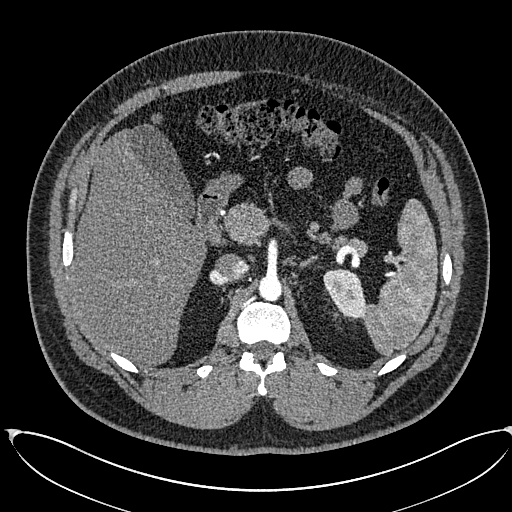
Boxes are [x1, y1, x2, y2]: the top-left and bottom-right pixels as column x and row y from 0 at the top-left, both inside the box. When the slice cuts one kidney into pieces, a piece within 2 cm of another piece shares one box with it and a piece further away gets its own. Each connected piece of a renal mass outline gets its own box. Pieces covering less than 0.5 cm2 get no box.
This is axial slice 419 of 673 (slice 1 is the lowest) of an arterial-phase abdominal CT with contrast; each pixel is 0.855 mm and the slice is 1.00 mm thick. Box [323, 268, 366, 318]: left kidney (outlined area 1,562 px, about 11.4 cm2). No renal mass is outlined on this slice.
Scan settings: 120 kVp, I30f reconstruction kernel.